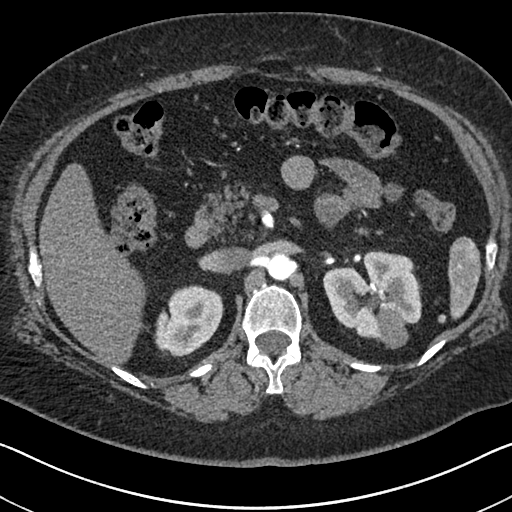
Axial slice 446 of 591 of a contrast-enhanced abdominal CT in the arterial phase (slice 1 is the lowest), 140 kVp, kernel I30f; 1.00 mm slice thickness and 0.703 mm pixels.
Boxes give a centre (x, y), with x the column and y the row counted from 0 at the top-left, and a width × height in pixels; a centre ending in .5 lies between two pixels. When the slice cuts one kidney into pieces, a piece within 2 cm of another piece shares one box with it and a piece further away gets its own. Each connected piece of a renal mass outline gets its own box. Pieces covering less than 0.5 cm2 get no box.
Boxed on this slice (two kidney boxes and one renal mass box), listed by box centre from the image's left to its right: (1) Box centre (188.5, 320.5), 70 × 72 pixels: right kidney (outlined area 3,636 px, about 18.0 cm2). (2) Left kidney in a box with centre (372.5, 295.5), 100 × 92 pixels (outlined area 5,881 px, about 29.1 cm2). (3) Box centre (392, 327), 33 × 43 pixels: left renal mass (outlined area 1,024 px, about 5.1 cm2).